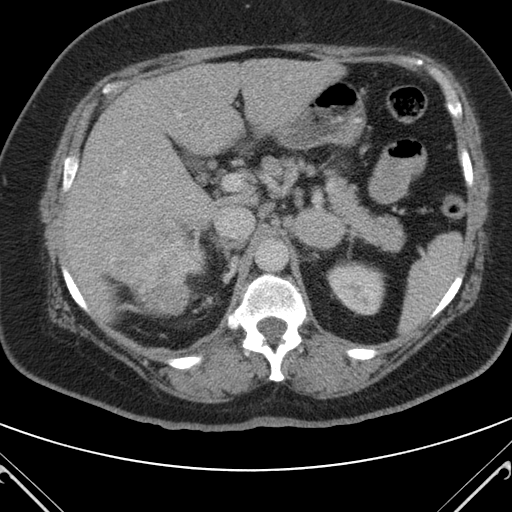
Axial slice 74 of 98 of a contrast-enhanced abdominal CT in the arterial phase (slice 1 is the lowest), 120 kVp, kernel B; 5.00 mm slice thickness and 0.703 mm pixels.
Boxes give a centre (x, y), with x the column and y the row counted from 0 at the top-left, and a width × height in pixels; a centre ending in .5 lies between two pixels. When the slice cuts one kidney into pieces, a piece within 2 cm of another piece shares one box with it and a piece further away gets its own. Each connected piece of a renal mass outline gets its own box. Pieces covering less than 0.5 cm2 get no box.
Boxed on this slice (one kidney box and one renal mass box), listed by box centre from the image's left to its right: (1) Right renal mass in a box with centre (157, 266.5), 107 × 102 pixels (outlined area 6,518 px, about 32.2 cm2); on this slice it lies more than 1 cm from any kidney outline, but the same outlined renal mass comes within 1 cm of the kidney on another slice. (2) Left kidney, box centre (356, 287.5), 61 × 56 pixels (outlined area 2,486 px, about 12.3 cm2).